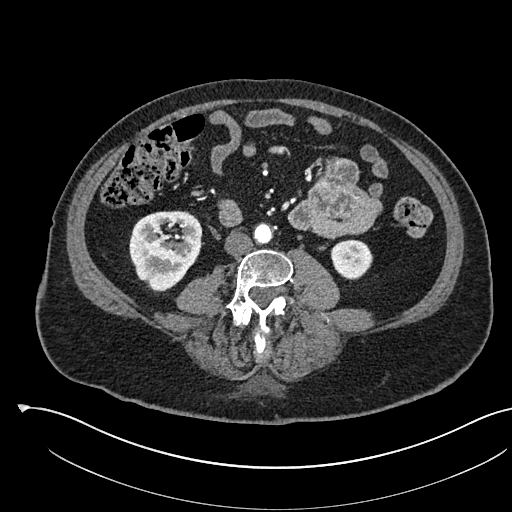
Abdominal CT with intravenous contrast, arterial phase, axial plane, 120 kVp, kernel I30f. Slice 231/541 from the bottom of the scan; thickness 1.00 mm; pixel size 0.834 mm.
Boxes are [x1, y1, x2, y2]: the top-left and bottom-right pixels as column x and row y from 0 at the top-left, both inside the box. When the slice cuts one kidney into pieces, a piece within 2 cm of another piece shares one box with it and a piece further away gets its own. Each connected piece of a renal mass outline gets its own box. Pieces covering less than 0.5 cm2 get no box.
Boxed on this slice (two kidney boxes), listed by box centre from the image's left to its right: (1) Box [129, 210, 202, 291]: right kidney (outlined area 4,534 px, about 31.5 cm2). (2) Left kidney at [330, 239, 372, 279] (outlined area 1,336 px, about 9.3 cm2).